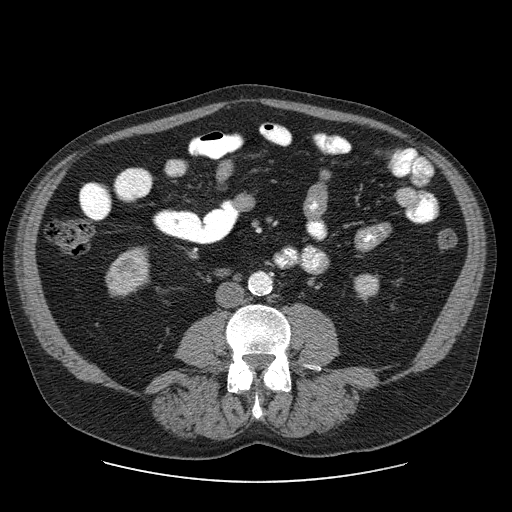
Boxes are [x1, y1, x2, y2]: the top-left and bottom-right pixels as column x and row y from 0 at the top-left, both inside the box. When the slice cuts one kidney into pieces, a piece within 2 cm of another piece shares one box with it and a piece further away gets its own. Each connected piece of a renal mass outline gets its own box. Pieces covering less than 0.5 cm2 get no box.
This is axial slice 16 of 103 (slice 1 is the lowest) of an abdominal CT with contrast; each pixel is 0.820 mm and the slice is 2.50 mm thick. Two kidney boxes on this slice; by box centre, from the image's left to its right: (1) Box [106, 247, 149, 296]: right kidney (outlined area 1,609 px, about 10.8 cm2). (2) Left kidney at [353, 273, 379, 300] (outlined area 541 px, about 3.6 cm2). This slice carries no renal mass outline.
Acquired at 120 kVp and reconstructed with the STANDARD kernel.